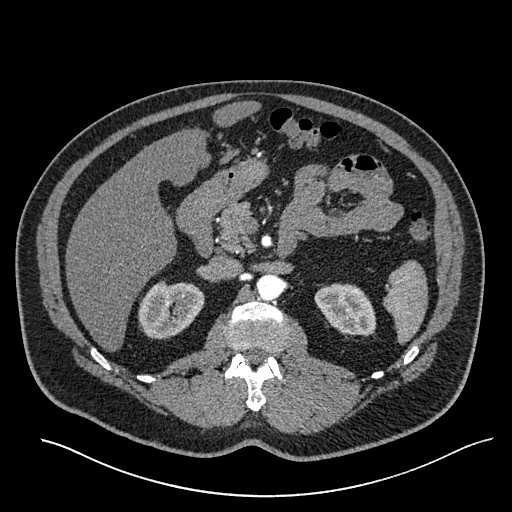
Arterial-phase contrast-enhanced abdominal CT, axial slice 370 of 527 (counted from the lowest slice); tube voltage 120 kVp, convolution kernel I30f; slices 1.00 mm thick, 0.859 mm per pixel.
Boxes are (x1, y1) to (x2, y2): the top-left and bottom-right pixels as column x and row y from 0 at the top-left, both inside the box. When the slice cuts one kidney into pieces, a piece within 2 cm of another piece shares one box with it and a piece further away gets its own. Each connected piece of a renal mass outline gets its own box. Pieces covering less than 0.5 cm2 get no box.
Boxed on this slice (two kidney boxes), listed by box centre from the image's left to its right: (1) Right kidney, box (138, 280) to (204, 339) (outlined area 2,939 px, about 21.7 cm2). (2) Box (314, 283) to (376, 338): left kidney (outlined area 2,447 px, about 18.1 cm2). No renal mass outline on this slice.